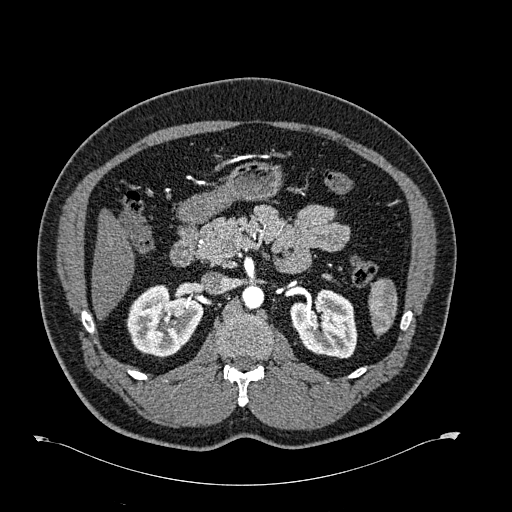
One axial slice (405 of 723, counting up from the lowest) of an arterial-phase abdominal CT acquired with 120 kVp, kernel B30f; each pixel is 0.895 mm and the slice is 1.00 mm thick.
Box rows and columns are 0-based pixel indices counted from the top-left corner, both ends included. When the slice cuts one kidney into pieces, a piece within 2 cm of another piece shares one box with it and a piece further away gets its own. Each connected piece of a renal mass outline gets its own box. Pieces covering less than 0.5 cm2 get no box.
Two kidney boxes on this slice; by box centre, from the image's left to its right: (1) Box rows 284–357, columns 126–203: right kidney (outlined area 4,042 px, about 32.3 cm2). (2) Left kidney, box rows 289–358, columns 290–357 (outlined area 3,550 px, about 28.4 cm2). This slice carries no renal mass outline.